Contrast-enhanced abdominal CT, axial slice 18 of 86 (counted from the lowest slice); tube voltage 140 kVp, convolution kernel I44f; slices 3.00 mm thick, 0.977 mm per pixel.
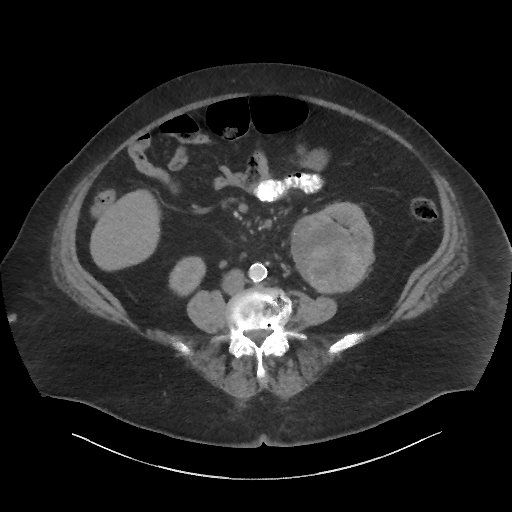
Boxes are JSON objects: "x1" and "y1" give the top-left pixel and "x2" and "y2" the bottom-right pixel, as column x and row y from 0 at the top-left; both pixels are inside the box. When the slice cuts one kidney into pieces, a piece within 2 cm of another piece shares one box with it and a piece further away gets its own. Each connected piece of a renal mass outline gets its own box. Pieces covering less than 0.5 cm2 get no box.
Boxed on this slice (two kidney boxes and one renal mass box), listed by box centre from the image's left to its right: (1) Right kidney at {"x1": 169, "y1": 256, "x2": 205, "y2": 296} (outlined area 1,080 px, about 10.3 cm2). (2) Box {"x1": 290, "y1": 211, "x2": 353, "y2": 294}: left renal mass (outlined area 3,985 px, about 38.0 cm2). (3) Box {"x1": 320, "y1": 201, "x2": 374, "y2": 293}: left kidney (outlined area 2,134 px, about 20.4 cm2).